Axial slice 143 of 274 of a contrast-enhanced abdominal CT in the arterial phase (slice 1 is the lowest), 120 kVp, kernel B30f; 2.00 mm slice thickness and 0.809 mm pixels.
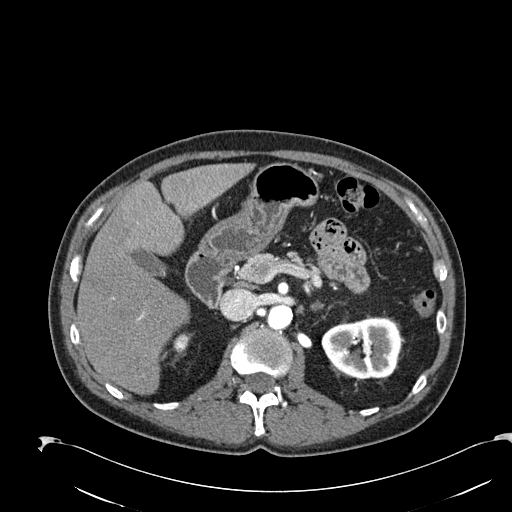
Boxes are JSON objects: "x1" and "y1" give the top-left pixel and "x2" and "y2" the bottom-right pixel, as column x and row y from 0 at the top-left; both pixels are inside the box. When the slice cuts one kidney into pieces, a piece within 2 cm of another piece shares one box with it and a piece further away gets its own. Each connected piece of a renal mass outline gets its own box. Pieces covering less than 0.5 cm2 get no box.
Two boxes on this slice (two kidney boxes), listed by box centre from the image's left to its right. (1) Box {"x1": 173, "y1": 333, "x2": 189, "y2": 353}: right kidney (outlined area 240 px, about 1.6 cm2). (2) Left kidney, box {"x1": 321, "y1": 317, "x2": 401, "y2": 379} (outlined area 3,919 px, about 25.6 cm2). No renal mass outline on this slice.